Abdominal CT with intravenous contrast, axial plane, 100 kVp, kernel I40f. Slice 56/80 from the bottom of the scan; thickness 5.00 mm; pixel size 0.703 mm.
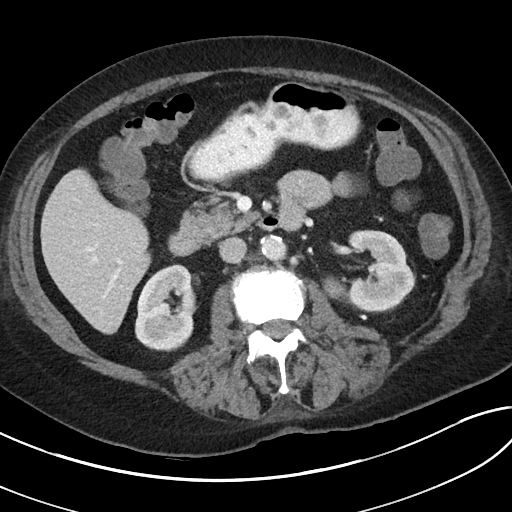
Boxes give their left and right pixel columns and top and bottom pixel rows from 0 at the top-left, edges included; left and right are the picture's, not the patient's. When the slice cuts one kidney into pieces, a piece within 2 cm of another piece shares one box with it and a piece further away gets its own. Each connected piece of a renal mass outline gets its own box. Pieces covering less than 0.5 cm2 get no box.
Boxed on this slice (two kidney boxes), listed by box centre from the image's left to its right: (1) Right kidney in the box with left 135, top 264, right 195, bottom 351 (outlined area 4,209 px, about 20.8 cm2). (2) Left kidney, the box with left 347, top 229, right 415, bottom 312 (outlined area 4,292 px, about 21.2 cm2). No renal mass outline on this slice.